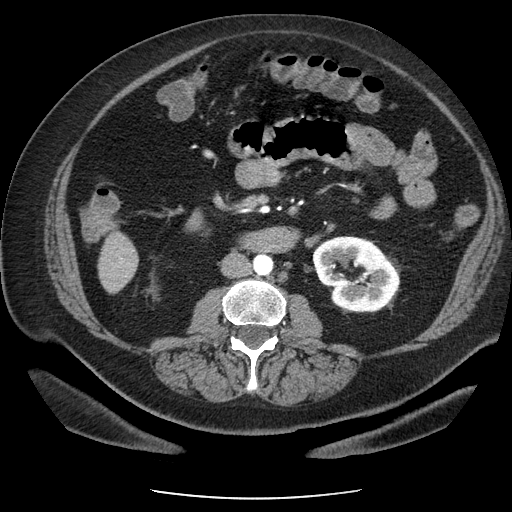
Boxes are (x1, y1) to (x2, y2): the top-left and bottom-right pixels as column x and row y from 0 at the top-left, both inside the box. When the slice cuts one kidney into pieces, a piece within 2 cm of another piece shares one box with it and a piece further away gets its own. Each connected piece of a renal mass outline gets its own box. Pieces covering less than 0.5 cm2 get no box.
Arterial-phase contrast-enhanced abdominal CT, axial slice 109 of 186 (counted from the lowest slice); 2.50 mm thick, 0.742 mm per pixel. Left kidney from (312, 236) to (400, 312) (outlined area 4,898 px, about 27.0 cm2). This slice carries no renal mass outline.
Tube voltage 120 kVp; convolution kernel STANDARD.